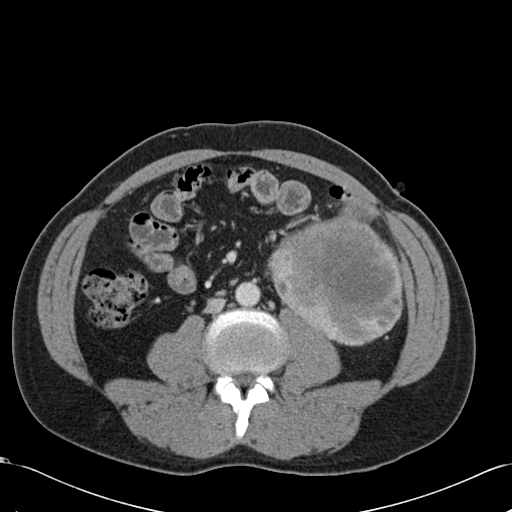
One axial slice (52 of 99, counting up from the lowest) of an arterial-phase abdominal CT acquired with 120 kVp, kernel B30f; each pixel is 0.693 mm and the slice is 5.00 mm thick.
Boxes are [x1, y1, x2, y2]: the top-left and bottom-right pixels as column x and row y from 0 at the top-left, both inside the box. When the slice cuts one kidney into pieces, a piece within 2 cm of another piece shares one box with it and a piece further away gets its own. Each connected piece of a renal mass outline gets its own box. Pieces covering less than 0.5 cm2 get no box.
Left renal mass, box [267, 197, 403, 346] (outlined area 13,776 px, about 66.2 cm2); no kidney outline appears on this slice, but the same outlined renal mass comes within 1 cm of the kidney on another slice.